Axial slice 381 of 834 of a contrast-enhanced abdominal CT (slice 1 is the lowest), 140 kVp, kernel I30f; 1.00 mm slice thickness and 0.977 mm pixels.
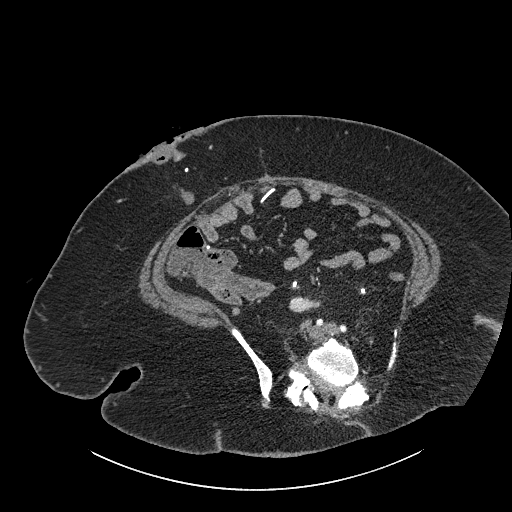
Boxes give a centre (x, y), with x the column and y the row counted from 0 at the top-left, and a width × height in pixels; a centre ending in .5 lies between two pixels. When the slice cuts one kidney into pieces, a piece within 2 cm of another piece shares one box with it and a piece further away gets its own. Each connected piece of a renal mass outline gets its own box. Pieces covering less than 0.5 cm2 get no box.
Right part of the midline-crossing kidney, box centre (304.5, 304), 34 × 17 pixels (outlined area 415 px, about 4.0 cm2). No renal mass outline on this slice.